One axial slice (28 of 36, counting up from the lowest) of an arterial-phase abdominal CT acquired with 140 kVp, kernel I30f; each pixel is 0.906 mm and the slice is 5.00 mm thick.
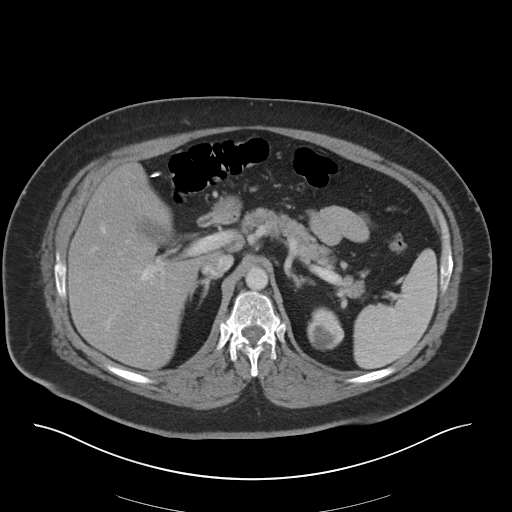
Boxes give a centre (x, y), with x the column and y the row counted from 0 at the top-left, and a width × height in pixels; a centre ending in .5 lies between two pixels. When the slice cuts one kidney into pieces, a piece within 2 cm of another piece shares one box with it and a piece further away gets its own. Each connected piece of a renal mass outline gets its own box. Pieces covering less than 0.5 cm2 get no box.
Boxed on this slice (one kidney box and one renal mass box), listed by box centre from the image's left to its right: (1) Left kidney, box centre (325.5, 315.5), 30 × 18 pixels (outlined area 169 px, about 1.4 cm2). (2) Left renal mass in a box with centre (325.5, 331.5), 38 × 38 pixels (outlined area 1,070 px, about 8.8 cm2).